Axial slice 432 of 591 of a contrast-enhanced abdominal CT in the arterial phase (slice 1 is the lowest), 140 kVp, kernel I30f; 1.00 mm slice thickness and 0.703 mm pixels.
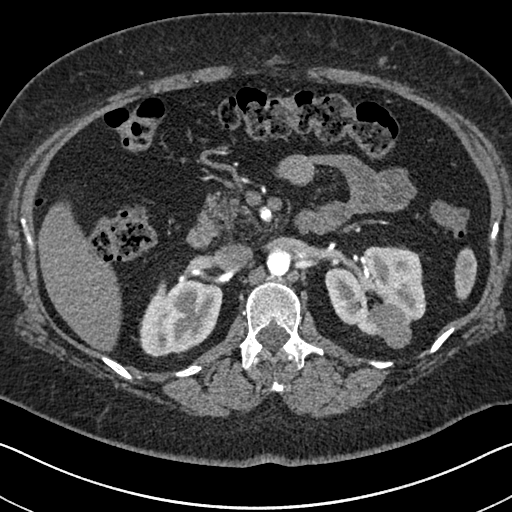
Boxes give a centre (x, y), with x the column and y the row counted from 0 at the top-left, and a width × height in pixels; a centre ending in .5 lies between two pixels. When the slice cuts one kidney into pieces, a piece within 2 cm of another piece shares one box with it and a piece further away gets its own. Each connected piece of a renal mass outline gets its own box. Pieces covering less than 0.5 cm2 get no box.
Three boxes on this slice (two kidney boxes and one renal mass box), listed by box centre from the image's left to its right. (1) Box centre (180.5, 318.5), 84 × 78 pixels: right kidney (outlined area 4,850 px, about 24.0 cm2). (2) Left kidney, box centre (375.5, 291), 102 × 91 pixels (outlined area 5,888 px, about 29.1 cm2). (3) Left renal mass in a box with centre (389, 325.5), 45 × 46 pixels (outlined area 1,400 px, about 6.9 cm2).